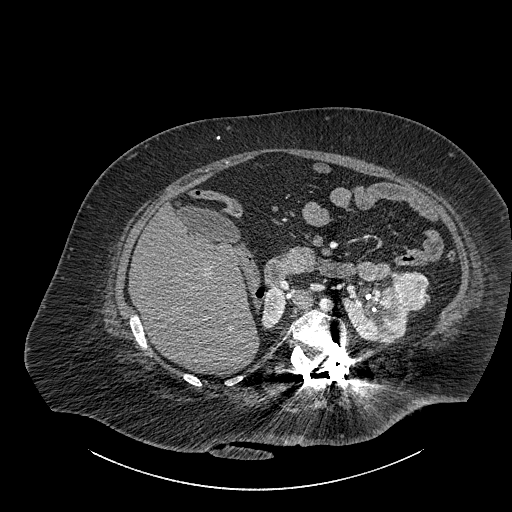
Contrast-enhanced abdominal CT, axial slice 554 of 834 (counted from the lowest slice); tube voltage 140 kVp, convolution kernel I30f; slices 1.00 mm thick, 0.977 mm per pixel.
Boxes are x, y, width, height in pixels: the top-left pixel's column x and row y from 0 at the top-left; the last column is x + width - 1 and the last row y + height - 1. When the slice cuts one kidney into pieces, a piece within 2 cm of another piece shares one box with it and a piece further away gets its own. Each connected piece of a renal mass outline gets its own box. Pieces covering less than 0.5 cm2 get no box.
Boxed on this slice (two kidney boxes and one renal mass box), listed by box centre from the image's left to its right: (1) Right part of the midline-crossing kidney at x 261, y 287, width 24, height 42 (outlined area 752 px, about 7.2 cm2). (2) Box x 342, y 285, width 75, height 59: left part of the midline-crossing kidney (outlined area 2,589 px, about 24.7 cm2). (3) Renal mass at x 392, y 271, width 37, height 39 (outlined area 1,172 px, about 11.2 cm2).